Abdominal CT with intravenous contrast, arterial phase, axial plane, 120 kVp, kernel I30f. Slice 495/705 from the bottom of the scan; thickness 1.00 mm; pixel size 0.703 mm.
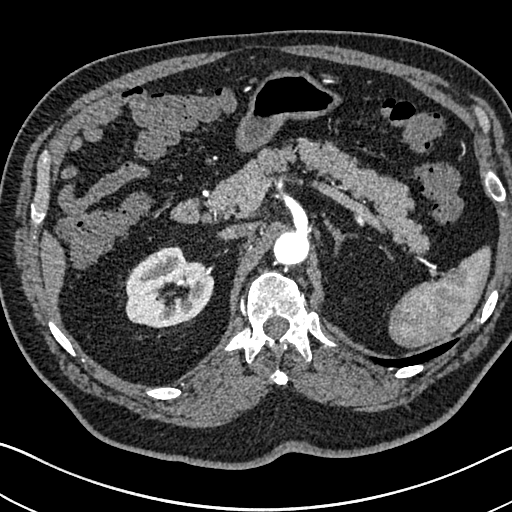
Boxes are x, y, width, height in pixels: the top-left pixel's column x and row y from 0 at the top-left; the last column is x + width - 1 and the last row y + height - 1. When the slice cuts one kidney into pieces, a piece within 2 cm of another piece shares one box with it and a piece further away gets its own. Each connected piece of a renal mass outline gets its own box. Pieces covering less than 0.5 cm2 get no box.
Box x 124, y 246, width 91, height 83: right kidney (outlined area 5,213 px, about 25.8 cm2). No renal mass is outlined on this slice.